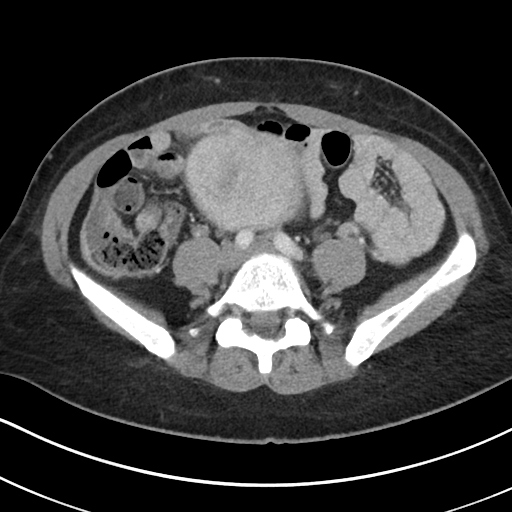
Abdominal CT with intravenous contrast, axial plane, 100 kVp, kernel I30f. Slice 78/178 from the bottom of the scan; thickness 5.00 mm; pixel size 0.650 mm.
No kidney and no renal mass is outlined on this slice; the outlines in this scan cover only the kidneys and the renal masses, so nothing is said about any other organ.